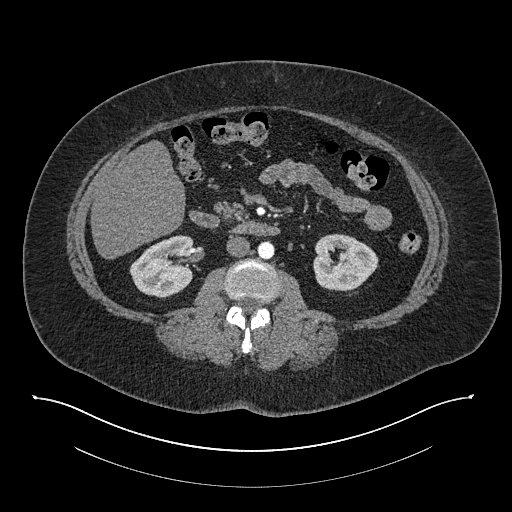
One axial slice (421 of 673, counting up from the lowest) of an arterial-phase abdominal CT acquired with 140 kVp, kernel I30f; each pixel is 0.957 mm and the slice is 1.00 mm thick.
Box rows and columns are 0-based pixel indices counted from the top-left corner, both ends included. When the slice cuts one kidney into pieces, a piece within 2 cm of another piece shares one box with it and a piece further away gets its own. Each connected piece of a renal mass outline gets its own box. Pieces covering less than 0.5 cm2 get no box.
Boxed on this slice (two kidney boxes), listed by box centre from the image's left to its right: (1) Right kidney at rows 235–298, columns 129–194 (outlined area 3,045 px, about 27.9 cm2). (2) Left kidney, box rows 233–291, columns 313–378 (outlined area 2,875 px, about 26.3 cm2). No renal mass is outlined on this slice.